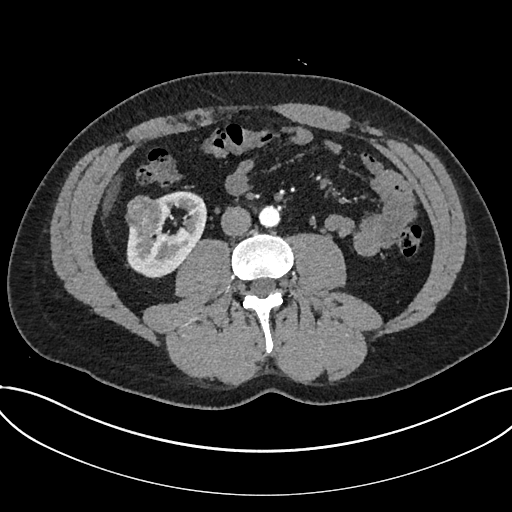
Axial slice 330 of 735 of a contrast-enhanced abdominal CT in the arterial phase (slice 1 is the lowest), 120 kVp, kernel I30f; 1.00 mm slice thickness and 0.789 mm pixels.
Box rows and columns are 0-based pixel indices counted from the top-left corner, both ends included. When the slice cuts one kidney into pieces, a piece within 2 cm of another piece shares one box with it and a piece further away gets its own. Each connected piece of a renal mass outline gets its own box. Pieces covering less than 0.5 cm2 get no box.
Two boxes on this slice (one kidney box and one renal mass box), listed by box centre from the image's left to its right. (1) Renal mass, box rows 195–235, columns 125–163 (outlined area 1,238 px, about 7.7 cm2). (2) Kidney, box rows 191–278, columns 126–207 (outlined area 4,020 px, about 25.0 cm2).